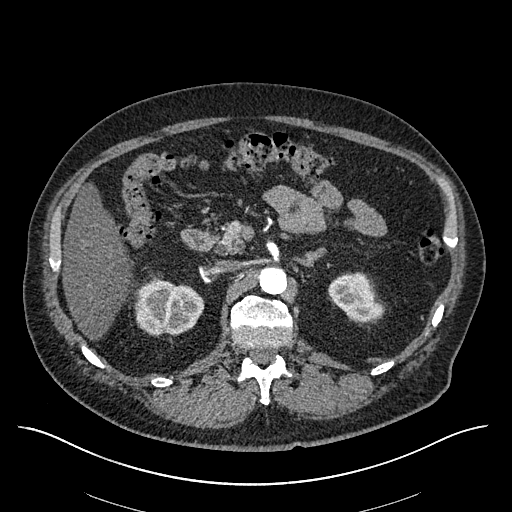
Abdominal CT with intravenous contrast, arterial phase, axial plane, 120 kVp, kernel I30f. Slice 380/670 from the bottom of the scan; thickness 1.00 mm; pixel size 0.861 mm.
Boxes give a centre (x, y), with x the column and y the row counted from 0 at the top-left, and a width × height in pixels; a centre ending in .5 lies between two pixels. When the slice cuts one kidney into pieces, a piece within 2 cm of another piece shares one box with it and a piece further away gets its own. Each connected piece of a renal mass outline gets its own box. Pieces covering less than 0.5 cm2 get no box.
Two kidney boxes on this slice; by box centre, from the image's left to its right: (1) Box centre (169, 303.5), 69 × 64 pixels: right kidney (outlined area 3,148 px, about 23.4 cm2). (2) Box centre (355, 297), 55 × 51 pixels: left kidney (outlined area 1,921 px, about 14.3 cm2). This slice carries no renal mass outline.